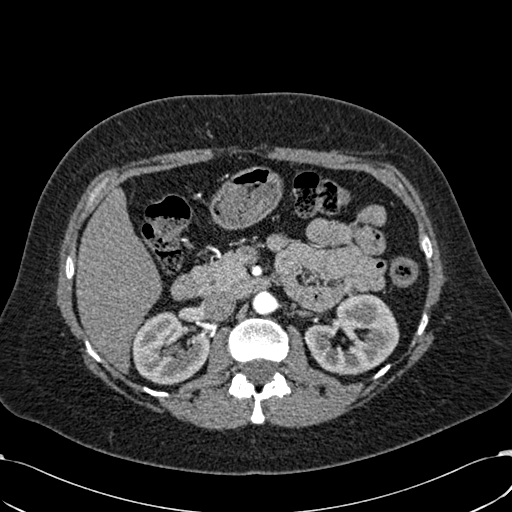
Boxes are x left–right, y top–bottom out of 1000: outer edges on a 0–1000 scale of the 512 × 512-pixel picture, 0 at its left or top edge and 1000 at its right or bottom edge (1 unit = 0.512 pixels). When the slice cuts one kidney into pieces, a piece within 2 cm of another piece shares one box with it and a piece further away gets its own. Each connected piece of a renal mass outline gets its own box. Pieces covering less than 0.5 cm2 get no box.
Slice 383/532 of a contrast-enhanced abdominal CT in the arterial phase, counting up from the lowest; pixel size 0.713 mm, slice thickness 1.00 mm. Two boxes on this slice (two kidney boxes), listed by box centre from the image's left to its right. (1) Right kidney at x 256–410, y 609–752 out of 1000 (outlined area 4,222 px, about 21.5 cm2). (2) Box x 592–781, y 570–732 out of 1000: left kidney (outlined area 5,194 px, about 26.4 cm2). No renal mass outline on this slice.
Tube voltage 120 kVp; convolution kernel B30f.